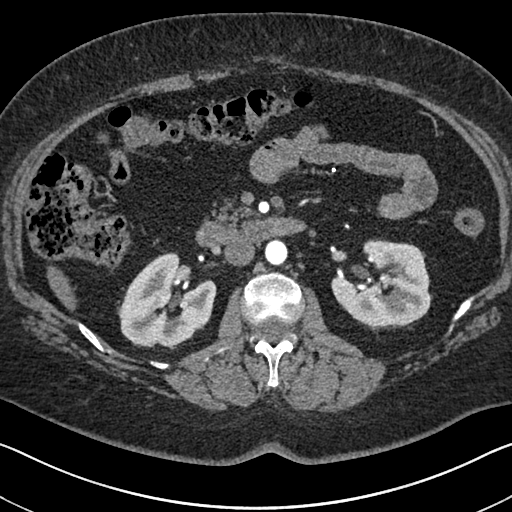
Abdominal CT with intravenous contrast, arterial phase, axial plane, 140 kVp, kernel I30f. Slice 400/591 from the bottom of the scan; thickness 1.00 mm; pixel size 0.703 mm.
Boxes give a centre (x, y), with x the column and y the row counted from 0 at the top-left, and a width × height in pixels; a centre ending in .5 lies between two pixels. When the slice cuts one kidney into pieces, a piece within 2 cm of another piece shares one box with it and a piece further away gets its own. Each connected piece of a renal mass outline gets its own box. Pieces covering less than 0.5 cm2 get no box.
Boxed on this slice (two kidney boxes), listed by box centre from the image's left to its right: (1) Right kidney, box centre (166.5, 300.5), 100 × 98 pixels (outlined area 6,437 px, about 31.8 cm2). (2) Left kidney in a box with centre (381.5, 284), 102 × 91 pixels (outlined area 6,428 px, about 31.8 cm2). No renal mass is outlined on this slice.